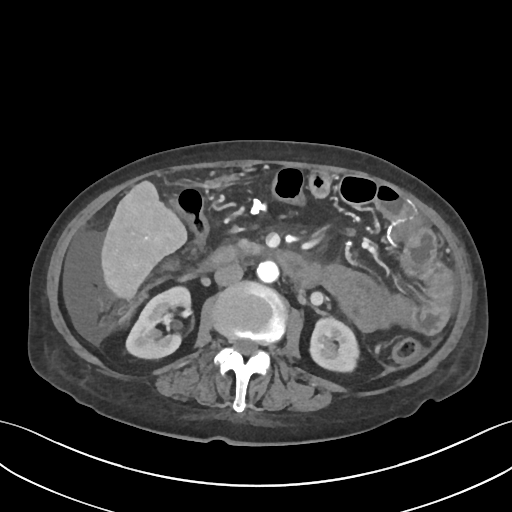
One axial slice (32 of 109, counting up from the lowest) of a contrast-enhanced abdominal CT acquired with 120 kVp, kernel I30f; each pixel is 0.742 mm and the slice is 3.00 mm thick.
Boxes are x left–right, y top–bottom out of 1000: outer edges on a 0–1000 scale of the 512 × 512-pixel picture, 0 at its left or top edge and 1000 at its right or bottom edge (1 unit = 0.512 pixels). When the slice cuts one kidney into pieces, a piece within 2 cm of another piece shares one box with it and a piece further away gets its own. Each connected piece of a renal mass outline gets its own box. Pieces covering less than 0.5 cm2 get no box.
Boxed on this slice (two kidney boxes), listed by box centre from the image's left to its right: (1) Box x 244–377, y 557–703 out of 1000: right kidney (outlined area 3,320 px, about 18.3 cm2). (2) Left kidney at x 604–705, y 621–730 out of 1000 (outlined area 2,279 px, about 12.6 cm2). No renal mass outline on this slice.